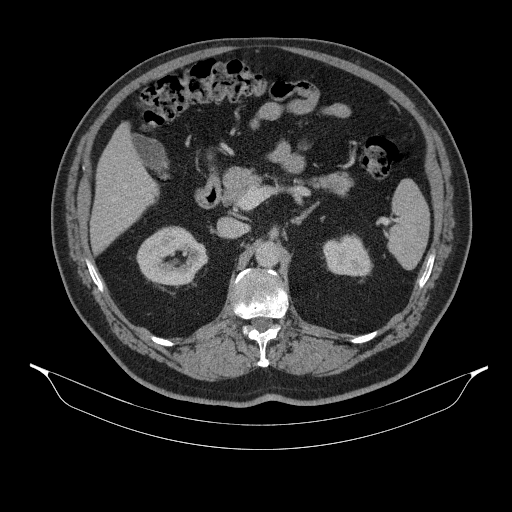
Abdominal CT with intravenous contrast, axial plane, 130 kVp, kernel B31s. Slice 219/314 from the bottom of the scan; thickness 2.50 mm; pixel size 0.934 mm.
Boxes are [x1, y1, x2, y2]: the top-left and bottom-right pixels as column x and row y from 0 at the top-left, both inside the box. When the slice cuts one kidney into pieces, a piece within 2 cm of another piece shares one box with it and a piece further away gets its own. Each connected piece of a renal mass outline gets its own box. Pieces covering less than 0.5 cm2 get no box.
Two kidney boxes on this slice; by box centre, from the image's left to its right: (1) Box [136, 226, 207, 287]: right kidney (outlined area 3,116 px, about 27.2 cm2). (2) Left kidney, box [323, 234, 373, 277] (outlined area 1,650 px, about 14.4 cm2). No renal mass is outlined on this slice.